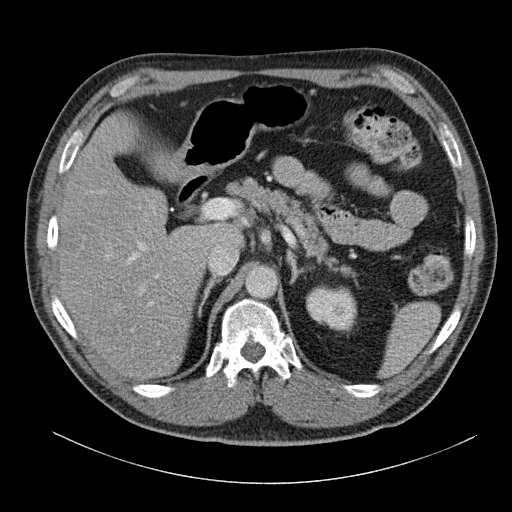
Axial slice 85 of 140 of a contrast-enhanced abdominal CT in the arterial phase (slice 1 is the lowest), 120 kVp, kernel B31f; 5.00 mm slice thickness and 0.754 mm pixels.
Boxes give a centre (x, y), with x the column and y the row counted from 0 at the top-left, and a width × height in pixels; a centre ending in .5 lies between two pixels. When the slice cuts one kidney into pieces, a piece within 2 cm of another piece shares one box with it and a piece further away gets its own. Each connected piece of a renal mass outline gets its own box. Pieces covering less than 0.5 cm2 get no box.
Left kidney in a box with centre (331, 308.5), 53 × 48 pixels (outlined area 1,896 px, about 10.8 cm2). No renal mass outline on this slice.